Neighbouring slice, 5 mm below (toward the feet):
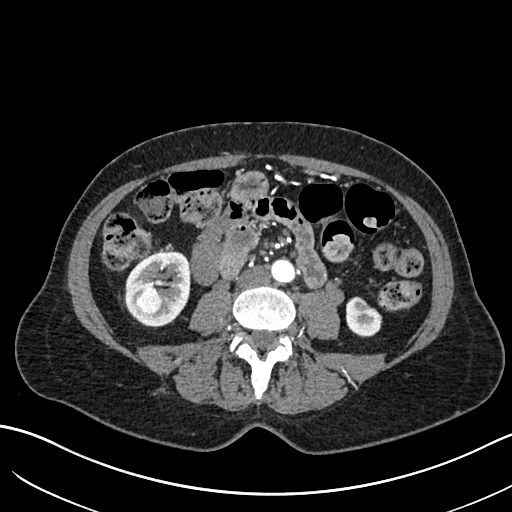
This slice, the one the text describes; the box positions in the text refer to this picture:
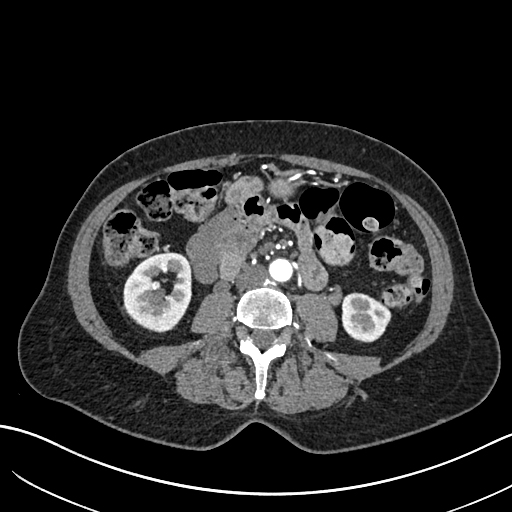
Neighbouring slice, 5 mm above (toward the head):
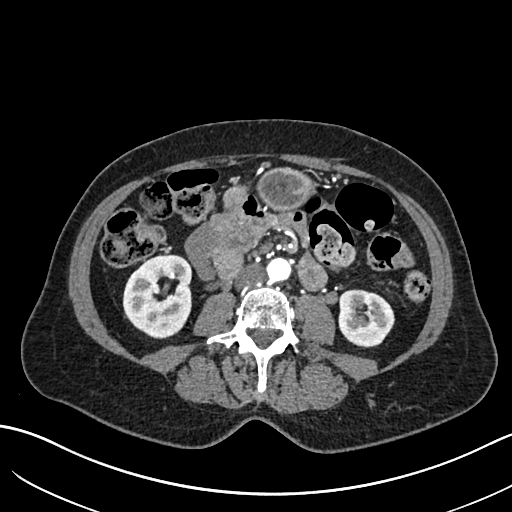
Abdominal CT with intravenous contrast, arterial phase, axial plane, 120 kVp, kernel I30f. Slice 300/683 from the bottom of the scan; thickness 1.00 mm; pixel size 0.738 mm.
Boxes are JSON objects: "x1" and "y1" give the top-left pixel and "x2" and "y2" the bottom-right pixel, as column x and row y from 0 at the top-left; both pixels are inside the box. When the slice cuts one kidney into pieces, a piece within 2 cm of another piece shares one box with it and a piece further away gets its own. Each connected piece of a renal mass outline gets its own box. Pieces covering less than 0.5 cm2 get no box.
Two kidney boxes and one renal mass box on this slice; by box centre, from the image's left to its right: (1) Right renal mass, box {"x1": 148, "y1": 292, "x2": 165, "y2": 307} (outlined area 239 px, about 1.3 cm2). (2) Right kidney at {"x1": 123, "y1": 252, "x2": 191, "y2": 332} (outlined area 3,952 px, about 21.5 cm2). (3) Left kidney, box {"x1": 343, "y1": 292, "x2": 391, "y2": 342} (outlined area 1,871 px, about 10.2 cm2). This slice is near the end of the right renal mass toward the head, so the slices 5 mm below and 5 mm above it are shown as well; the boxes refer to this slice only.